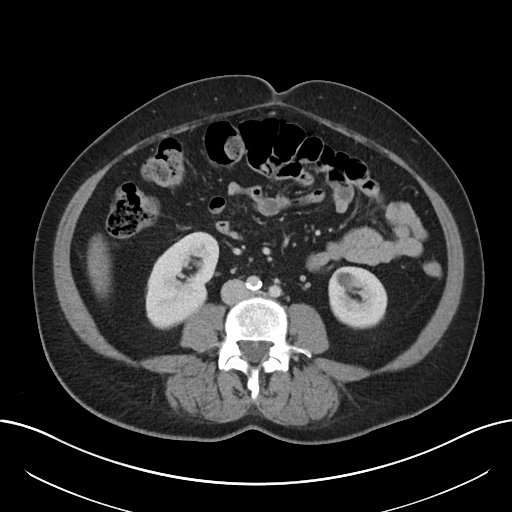
One axial slice (98 of 197, counting up from the lowest) of a contrast-enhanced abdominal CT acquired with 120 kVp, kernel I30f; each pixel is 0.791 mm and the slice is 5.00 mm thick.
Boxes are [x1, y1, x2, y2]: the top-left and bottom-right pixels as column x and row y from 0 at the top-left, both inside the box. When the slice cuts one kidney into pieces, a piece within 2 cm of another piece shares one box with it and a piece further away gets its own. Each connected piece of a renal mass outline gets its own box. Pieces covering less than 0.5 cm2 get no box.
Two boxes on this slice (two kidney boxes), listed by box centre from the image's left to its right. (1) Box [145, 231, 219, 329]: right kidney (outlined area 5,024 px, about 31.4 cm2). (2) Box [328, 267, 387, 329]: left kidney (outlined area 2,977 px, about 18.6 cm2). No renal mass outline on this slice.